Arterial-phase contrast-enhanced abdominal CT, axial slice 291 of 538 (counted from the lowest slice); tube voltage 120 kVp, convolution kernel B30f; slices 1.00 mm thick, 0.811 mm per pixel.
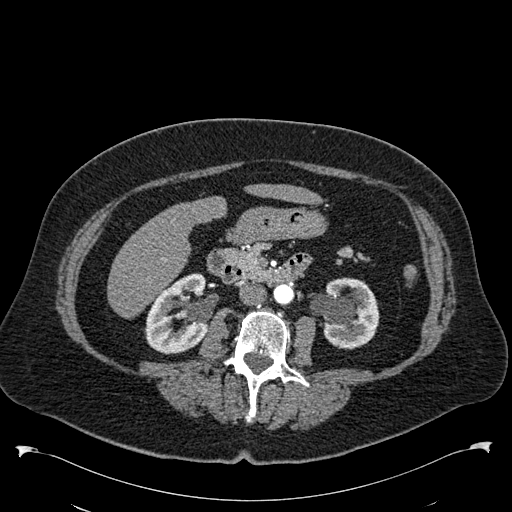
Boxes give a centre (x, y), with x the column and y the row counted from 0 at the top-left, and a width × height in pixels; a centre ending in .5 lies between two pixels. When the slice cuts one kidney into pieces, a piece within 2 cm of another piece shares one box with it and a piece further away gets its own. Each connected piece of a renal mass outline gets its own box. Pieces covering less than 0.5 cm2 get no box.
Two kidney boxes on this slice; by box centre, from the image's left to its right: (1) Right kidney in a box with centre (175.5, 313.5), 64 × 82 pixels (outlined area 3,734 px, about 24.5 cm2). (2) Left kidney in a box with centre (344.5, 313), 70 × 73 pixels (outlined area 3,560 px, about 23.4 cm2). This slice carries no renal mass outline.